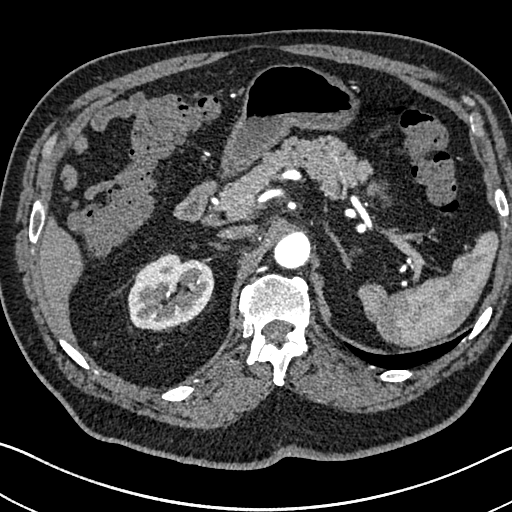
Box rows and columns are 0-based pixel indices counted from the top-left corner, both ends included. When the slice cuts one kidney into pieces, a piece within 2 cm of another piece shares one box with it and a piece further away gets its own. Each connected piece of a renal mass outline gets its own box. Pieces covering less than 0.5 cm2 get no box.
Arterial-phase contrast-enhanced abdominal CT, axial slice 510 of 705 (counted from the lowest slice); 1.00 mm thick, 0.703 mm per pixel. Right kidney, box rows 252–331, columns 127–214 (outlined area 5,065 px, about 25.0 cm2). No renal mass is outlined on this slice.
Acquired at 120 kVp and reconstructed with the I30f kernel.